Contrast-enhanced abdominal CT, axial slice 62 of 95 (counted from the lowest slice); tube voltage 120 kVp, convolution kernel STANDARD; slices 5.00 mm thick, 0.781 mm per pixel.
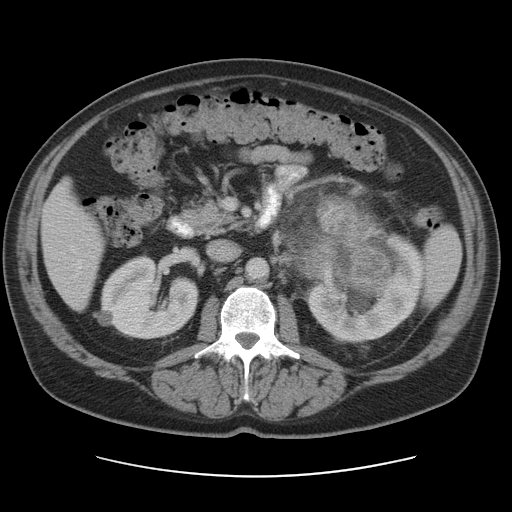
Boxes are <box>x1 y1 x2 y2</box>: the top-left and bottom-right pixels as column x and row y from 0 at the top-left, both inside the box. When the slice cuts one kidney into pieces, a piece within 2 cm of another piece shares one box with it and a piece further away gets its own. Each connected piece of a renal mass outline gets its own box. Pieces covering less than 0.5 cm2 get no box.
Boxed on this slice (two kidney boxes and one renal mass box), listed by box centre from the image's left to its right: (1) Right kidney at <box>92 253 199 339</box> (outlined area 6,194 px, about 37.8 cm2). (2) Left renal mass: <box>280 194 395 297</box> (outlined area 8,799 px, about 53.7 cm2). (3) At <box>308 234 422 341</box>: left kidney (outlined area 6,024 px, about 36.8 cm2).